Axial slice 350 of 735 of a contrast-enhanced abdominal CT in the arterial phase (slice 1 is the lowest), 120 kVp, kernel I30f; 1.00 mm slice thickness and 0.789 mm pixels.
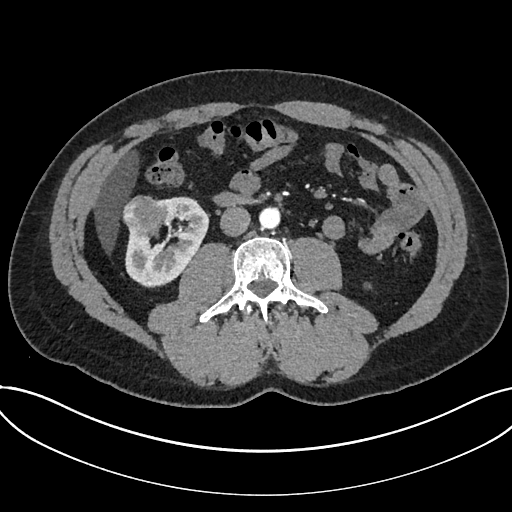
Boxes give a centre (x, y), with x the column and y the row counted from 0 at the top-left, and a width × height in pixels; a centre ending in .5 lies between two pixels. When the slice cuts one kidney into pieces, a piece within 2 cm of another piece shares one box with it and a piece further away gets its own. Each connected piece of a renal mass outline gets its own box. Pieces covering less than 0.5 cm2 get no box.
Boxed on this slice (one kidney box and one renal mass box), listed by box centre from the image's left to its right: (1) Box centre (144, 215.5), 45 × 42 pixels: renal mass (outlined area 1,426 px, about 8.9 cm2). (2) Kidney in a box with centre (166.5, 241.5), 84 × 92 pixels (outlined area 4,506 px, about 28.1 cm2).